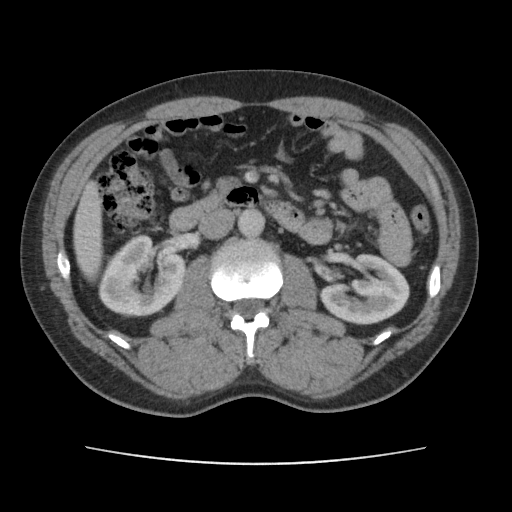
Axial slice 66 of 101 of a contrast-enhanced abdominal CT in the arterial phase (slice 1 is the lowest), 120 kVp, kernel FC14; 5.00 mm slice thickness and 0.755 mm pixels.
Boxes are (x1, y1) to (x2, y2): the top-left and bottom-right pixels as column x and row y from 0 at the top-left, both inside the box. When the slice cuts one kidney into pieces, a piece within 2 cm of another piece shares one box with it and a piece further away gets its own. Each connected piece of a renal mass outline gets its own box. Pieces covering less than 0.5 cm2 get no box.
Boxed on this slice (two kidney boxes and one renal mass box), listed by box centre from the image's left to its right: (1) Right renal mass from (98, 273) to (133, 310) (outlined area 1,097 px, about 6.3 cm2). (2) Right kidney, box (100, 233) to (185, 317) (outlined area 4,179 px, about 23.8 cm2). (3) Left kidney, box (317, 253) to (409, 324) (outlined area 4,410 px, about 25.1 cm2).